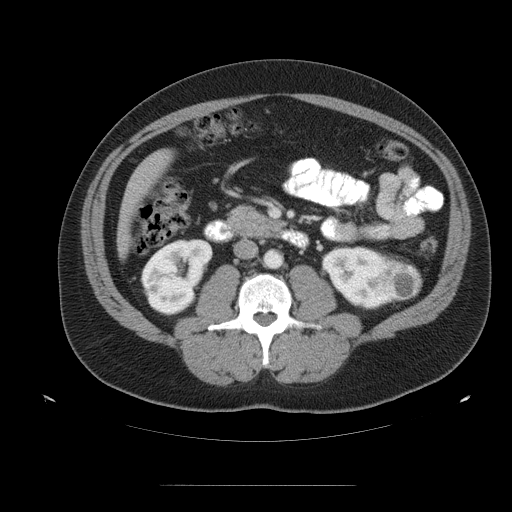
Contrast-enhanced abdominal CT, axial slice 62 of 99 (counted from the lowest slice); tube voltage 120 kVp, convolution kernel STANDARD; slices 5.00 mm thick, 0.938 mm per pixel.
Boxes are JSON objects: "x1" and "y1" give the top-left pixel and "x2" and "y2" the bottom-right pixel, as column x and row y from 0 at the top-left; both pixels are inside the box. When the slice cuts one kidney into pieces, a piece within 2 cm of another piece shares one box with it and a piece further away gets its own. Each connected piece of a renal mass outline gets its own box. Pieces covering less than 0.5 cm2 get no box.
Two kidney boxes and one renal mass box on this slice; by box centre, from the image's left to its right: (1) Box {"x1": 141, "y1": 239, "x2": 213, "y2": 316}: right kidney (outlined area 4,056 px, about 35.6 cm2). (2) Left kidney at {"x1": 321, "y1": 246, "x2": 401, "y2": 309} (outlined area 3,340 px, about 29.4 cm2). (3) Left renal mass at {"x1": 382, "y1": 259, "x2": 422, "y2": 301} (outlined area 1,313 px, about 11.5 cm2).